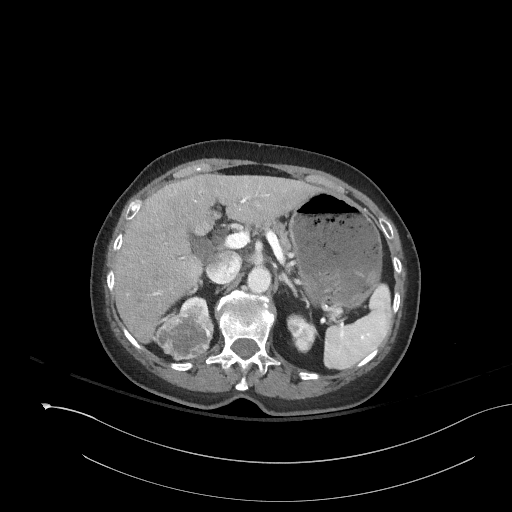
Abdominal CT with intravenous contrast, axial plane, 120 kVp, kernel I41f. Slice 113/153 from the bottom of the scan; thickness 3.00 mm; pixel size 0.893 mm.
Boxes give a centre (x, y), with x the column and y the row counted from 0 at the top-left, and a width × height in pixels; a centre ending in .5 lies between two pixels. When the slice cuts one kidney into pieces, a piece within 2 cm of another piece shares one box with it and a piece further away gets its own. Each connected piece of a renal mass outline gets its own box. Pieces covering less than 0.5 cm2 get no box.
Three boxes on this slice (two kidney boxes and one renal mass box), listed by box centre from the image's left to its right. (1) Right renal mass, box centre (183.5, 334.5), 58 × 50 pixels (outlined area 2,148 px, about 17.1 cm2). (2) Right kidney, box centre (193, 306), 31 × 21 pixels (outlined area 339 px, about 2.7 cm2). (3) Box centre (302, 333), 33 × 41 pixels: left kidney (outlined area 863 px, about 6.9 cm2).